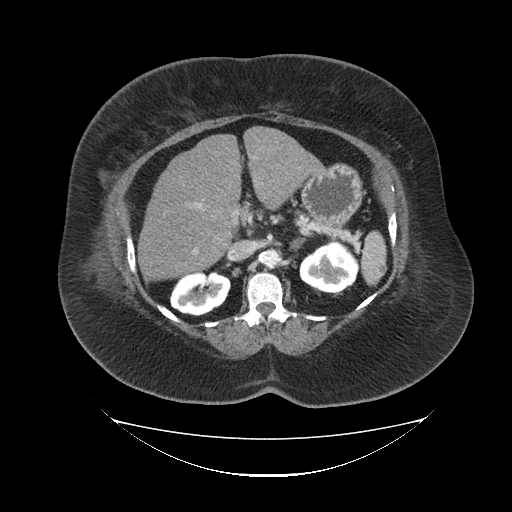
Axial slice 64 of 85 of a contrast-enhanced abdominal CT in the arterial phase (slice 1 is the lowest), 120 kVp, kernel FC19; 5.00 mm slice thickness and 1.041 mm pixels.
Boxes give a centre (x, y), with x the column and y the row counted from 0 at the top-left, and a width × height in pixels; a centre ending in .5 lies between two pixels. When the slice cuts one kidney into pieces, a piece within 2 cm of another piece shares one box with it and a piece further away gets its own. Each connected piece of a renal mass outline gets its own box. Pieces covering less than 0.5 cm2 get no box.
Boxed on this slice (two kidney boxes), listed by box centre from the image's left to its right: (1) Right kidney, box centre (199.5, 292.5), 62 × 46 pixels (outlined area 2,118 px, about 23.0 cm2). (2) Left kidney, box centre (329, 266.5), 61 × 52 pixels (outlined area 2,313 px, about 25.1 cm2). No renal mass is outlined on this slice.